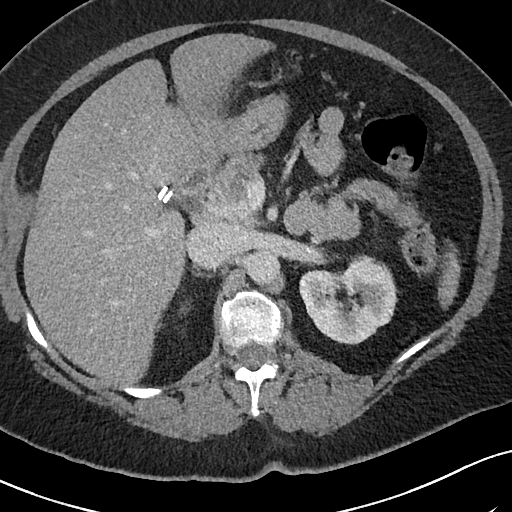
Axial slice 53 of 69 of a contrast-enhanced abdominal CT in the arterial phase (slice 1 is the lowest), 120 kVp, kernel I40f; 3.00 mm slice thickness and 0.664 mm pixels.
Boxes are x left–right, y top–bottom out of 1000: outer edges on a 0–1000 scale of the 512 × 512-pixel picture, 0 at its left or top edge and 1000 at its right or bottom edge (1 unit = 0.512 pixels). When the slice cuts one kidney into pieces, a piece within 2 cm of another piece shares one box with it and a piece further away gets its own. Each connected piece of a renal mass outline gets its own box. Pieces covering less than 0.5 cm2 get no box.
Left kidney, box x 584–779, y 496–674 out of 1000 (outlined area 6,224 px, about 27.4 cm2). No renal mass is outlined on this slice.